Axial slice 421 of 705 of a contrast-enhanced abdominal CT in the arterial phase (slice 1 is the lowest), 120 kVp, kernel I30f; 1.00 mm slice thickness and 0.703 mm pixels.
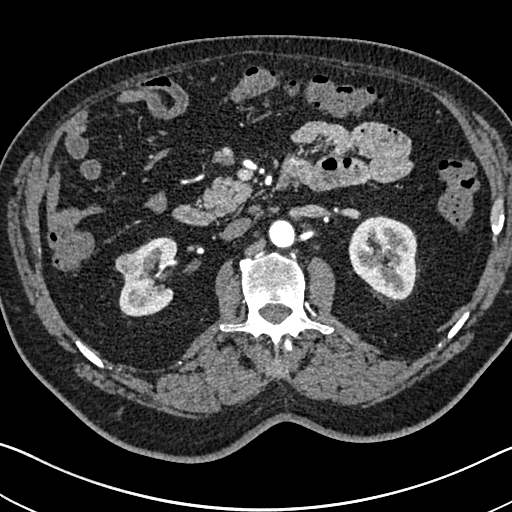
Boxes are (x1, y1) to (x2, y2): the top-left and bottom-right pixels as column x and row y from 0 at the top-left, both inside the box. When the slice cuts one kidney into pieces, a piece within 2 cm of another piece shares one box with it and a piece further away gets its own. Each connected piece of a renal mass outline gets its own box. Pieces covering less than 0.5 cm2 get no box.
Two kidney boxes and one renal mass box on this slice; by box centre, from the image's left to its right: (1) Box (115, 252) to (142, 279): right renal mass (outlined area 596 px, about 2.9 cm2). (2) Box (119, 237) to (177, 316): right kidney (outlined area 3,086 px, about 15.3 cm2). (3) Left kidney, box (348, 215) to (418, 300) (outlined area 4,566 px, about 22.6 cm2).